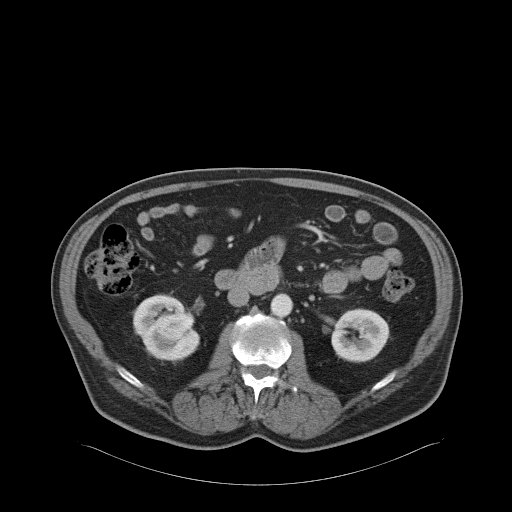
Abdominal CT with intravenous contrast, arterial phase, axial plane, 120 kVp, kernel B31f. Slice 29/68 from the bottom of the scan; thickness 5.00 mm; pixel size 0.961 mm.
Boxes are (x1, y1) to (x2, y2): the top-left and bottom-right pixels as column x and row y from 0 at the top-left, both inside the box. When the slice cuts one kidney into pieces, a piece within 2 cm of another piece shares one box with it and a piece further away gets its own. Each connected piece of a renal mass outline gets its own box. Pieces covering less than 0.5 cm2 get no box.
Boxed on this slice (two kidney boxes and one renal mass box), listed by box centre from the image's left to its right: (1) Right kidney, box (133, 294) to (199, 361) (outlined area 2,431 px, about 22.4 cm2). (2) Right renal mass, box (149, 312) to (194, 340) (outlined area 947 px, about 8.7 cm2). (3) Box (331, 308) to (389, 362): left kidney (outlined area 2,456 px, about 22.7 cm2).